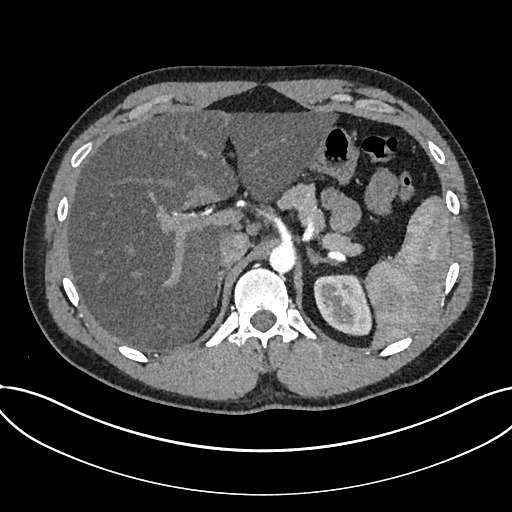
Arterial-phase contrast-enhanced abdominal CT, axial slice 554 of 735 (counted from the lowest slice); tube voltage 120 kVp, convolution kernel I30f; slices 1.00 mm thick, 0.789 mm per pixel.
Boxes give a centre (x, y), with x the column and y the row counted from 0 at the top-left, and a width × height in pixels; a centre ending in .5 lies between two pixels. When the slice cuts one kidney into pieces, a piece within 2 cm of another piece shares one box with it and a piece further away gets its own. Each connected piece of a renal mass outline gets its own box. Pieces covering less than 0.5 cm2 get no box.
Kidney, box centre (342.5, 304.5), 60 × 62 pixels (outlined area 2,813 px, about 17.5 cm2). No renal mass outline on this slice.